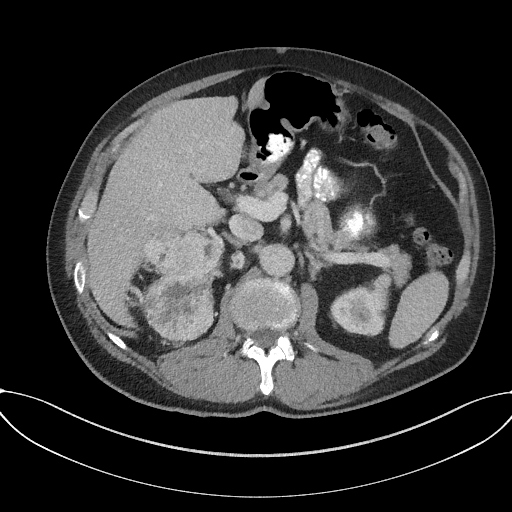
Axial slice 105 of 227 of a contrast-enhanced abdominal CT in the arterial phase (slice 1 is the lowest), 120 kVp, kernel I31f; 3.00 mm slice thickness and 0.816 mm pixels.
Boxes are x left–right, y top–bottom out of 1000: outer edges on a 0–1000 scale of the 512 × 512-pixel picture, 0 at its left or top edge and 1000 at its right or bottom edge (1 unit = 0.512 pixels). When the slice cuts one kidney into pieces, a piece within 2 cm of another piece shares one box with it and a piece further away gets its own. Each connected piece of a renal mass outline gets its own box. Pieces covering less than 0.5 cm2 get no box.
One kidney box and one renal mass box on this slice; by box centre, from the image's left to its right: (1) Right renal mass at x 268–434, y 449–666 out of 1000 (outlined area 7,131 px, about 47.5 cm2); on this slice it lies more than 1 cm from any kidney outline, but the same outlined renal mass comes within 1 cm of the kidney on another slice. (2) Box x 645–754, y 551–656 out of 1000: left kidney (outlined area 2,268 px, about 15.1 cm2).